Abdominal CT with intravenous contrast, arterial phase, axial plane, 120 kVp, kernel I30f. Slice 326/735 from the bottom of the scan; thickness 1.00 mm; pixel size 0.789 mm.
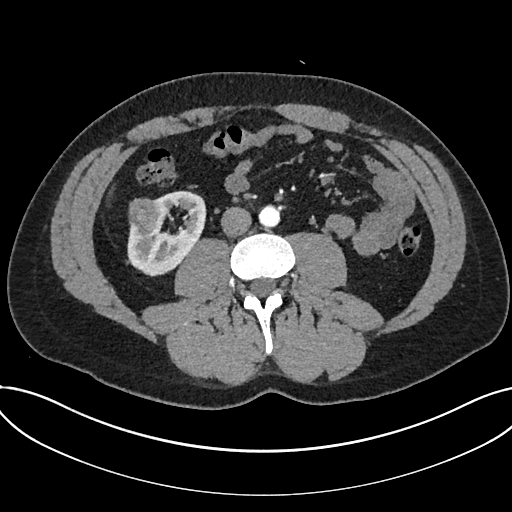
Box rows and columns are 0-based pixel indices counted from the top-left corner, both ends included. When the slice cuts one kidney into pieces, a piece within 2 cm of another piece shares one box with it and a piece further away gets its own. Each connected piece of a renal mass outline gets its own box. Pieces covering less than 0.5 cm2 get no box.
Two boxes on this slice (one kidney box and one renal mass box), listed by box centre from the image's left to its right. (1) Renal mass, box rows 198–233, columns 128–163 (outlined area 1,043 px, about 6.5 cm2). (2) Kidney, box rows 190–276, columns 127–206 (outlined area 3,913 px, about 24.4 cm2).